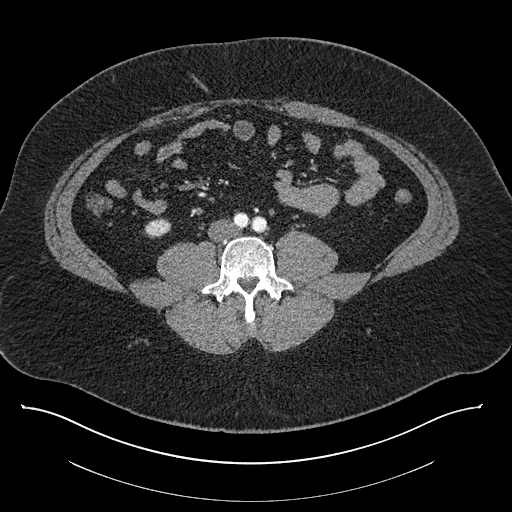
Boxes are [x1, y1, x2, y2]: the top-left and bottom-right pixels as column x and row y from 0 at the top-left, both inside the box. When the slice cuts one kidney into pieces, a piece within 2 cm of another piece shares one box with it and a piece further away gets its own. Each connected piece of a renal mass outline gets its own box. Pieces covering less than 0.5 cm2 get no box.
This is axial slice 320 of 787 (slice 1 is the lowest) of an abdominal CT with contrast; each pixel is 0.910 mm and the slice is 1.00 mm thick. Right kidney at [144, 217, 171, 238] (outlined area 424 px, about 3.5 cm2). No renal mass outline on this slice.
Acquired at 140 kVp and reconstructed with the I30f kernel.